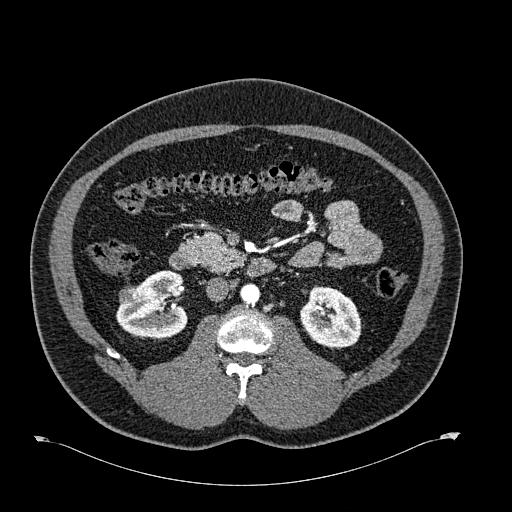
Abdominal CT with intravenous contrast, arterial phase, axial plane, 120 kVp, kernel B30f. Slice 347/723 from the bottom of the scan; thickness 1.00 mm; pixel size 0.895 mm.
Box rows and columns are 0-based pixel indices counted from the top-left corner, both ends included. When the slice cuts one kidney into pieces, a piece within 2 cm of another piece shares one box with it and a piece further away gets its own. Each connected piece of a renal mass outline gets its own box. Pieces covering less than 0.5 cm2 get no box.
Boxed on this slice (two kidney boxes and one renal mass box), listed by box centre from the image's left to its right: (1) Box rows 285–305, columns 119–138: right renal mass (outlined area 328 px, about 2.6 cm2). (2) Right kidney, box rows 270–340, columns 115–188 (outlined area 3,507 px, about 28.1 cm2). (3) Box rows 285–349, columns 300–360: left kidney (outlined area 2,945 px, about 23.6 cm2).